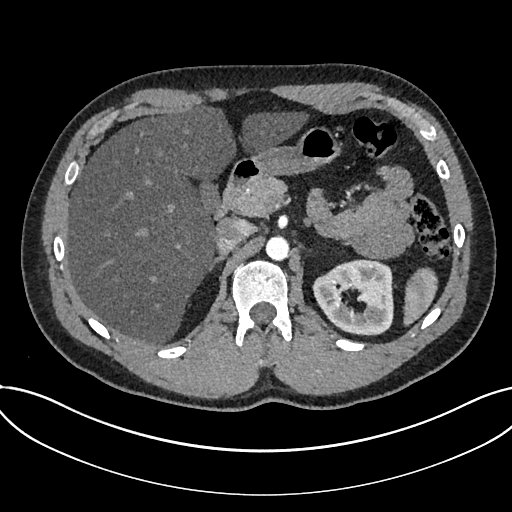
Arterial-phase contrast-enhanced abdominal CT, axial slice 501 of 735 (counted from the lowest slice); tube voltage 120 kVp, convolution kernel I30f; slices 1.00 mm thick, 0.789 mm per pixel.
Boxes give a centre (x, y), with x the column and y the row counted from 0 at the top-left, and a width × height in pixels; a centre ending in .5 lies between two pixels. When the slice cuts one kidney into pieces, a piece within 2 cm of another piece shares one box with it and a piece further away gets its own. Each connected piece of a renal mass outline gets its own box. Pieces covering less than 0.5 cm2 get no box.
Kidney, box centre (352.5, 297), 82 × 77 pixels (outlined area 4,729 px, about 29.4 cm2). No renal mass is outlined on this slice.